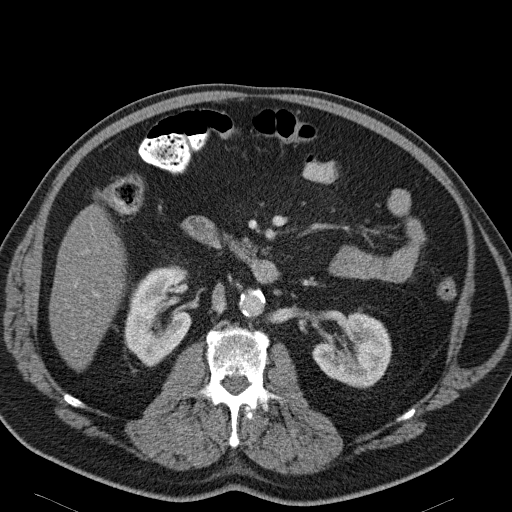
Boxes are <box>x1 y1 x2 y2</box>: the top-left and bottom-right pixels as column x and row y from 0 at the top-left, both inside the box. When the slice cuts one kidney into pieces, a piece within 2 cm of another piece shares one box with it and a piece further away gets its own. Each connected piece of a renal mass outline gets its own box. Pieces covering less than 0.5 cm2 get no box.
Slice 78/114 of a contrast-enhanced abdominal CT in the arterial phase, counting up from the lowest; pixel size 0.781 mm, slice thickness 5.00 mm. Two kidney boxes on this slice; by box centre, from the image's left to its right: (1) Right kidney at <box>125 267 192 366</box> (outlined area 4,855 px, about 29.6 cm2). (2) Left kidney at <box>312 312 392 388</box> (outlined area 4,236 px, about 25.9 cm2). No renal mass outline on this slice.
Acquired at 120 kVp and reconstructed with the B31f kernel.